Arterial-phase contrast-enhanced abdominal CT, axial slice 269 of 445 (counted from the lowest slice); tube voltage 120 kVp, convolution kernel STANDARD; slices 1.25 mm thick, 0.863 mm per pixel.
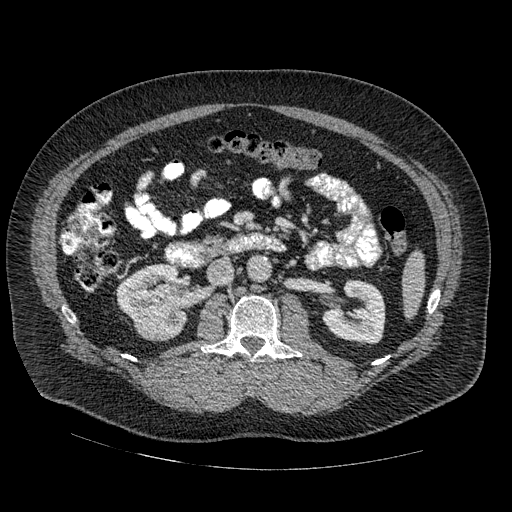
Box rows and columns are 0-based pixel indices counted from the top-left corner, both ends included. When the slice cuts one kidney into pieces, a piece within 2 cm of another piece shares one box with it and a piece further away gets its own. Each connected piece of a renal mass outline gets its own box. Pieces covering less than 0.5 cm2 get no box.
Two kidney boxes and one renal mass box on this slice; by box centre, from the image's left to its right: (1) Right renal mass at rows 307–341, columns 130–174 (outlined area 1,161 px, about 8.7 cm2). (2) Right kidney at rows 264–336, columns 117–188 (outlined area 2,993 px, about 22.3 cm2). (3) Box rows 281–343, columns 323–385: left kidney (outlined area 2,885 px, about 21.5 cm2).